Arterial-phase contrast-enhanced abdominal CT, axial slice 8 of 52 (counted from the lowest slice); tube voltage 120 kVp, convolution kernel B30f; slices 3.00 mm thick, 0.678 mm per pixel.
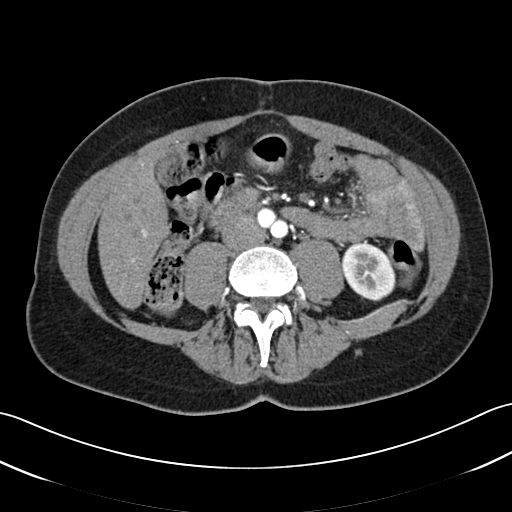
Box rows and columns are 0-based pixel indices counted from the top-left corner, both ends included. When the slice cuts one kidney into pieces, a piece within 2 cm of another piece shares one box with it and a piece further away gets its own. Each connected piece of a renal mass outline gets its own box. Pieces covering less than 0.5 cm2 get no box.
Left kidney, box rows 242–301, columns 341–396 (outlined area 2,435 px, about 11.2 cm2). No renal mass is outlined on this slice.